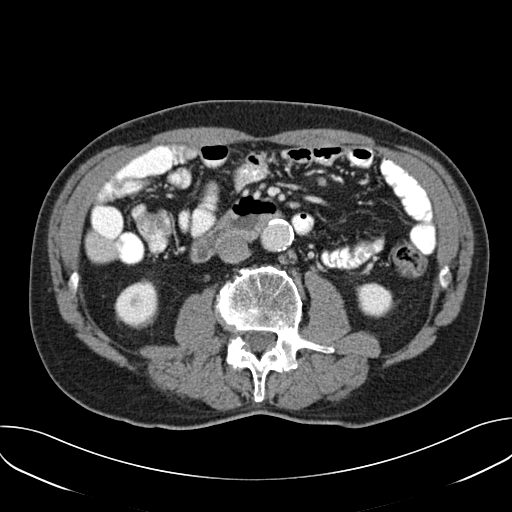
One axial slice (91 of 157, counting up from the lowest) of an arterial-phase abdominal CT acquired with 120 kVp, kernel B30f; each pixel is 0.742 mm and the slice is 3.00 mm thick.
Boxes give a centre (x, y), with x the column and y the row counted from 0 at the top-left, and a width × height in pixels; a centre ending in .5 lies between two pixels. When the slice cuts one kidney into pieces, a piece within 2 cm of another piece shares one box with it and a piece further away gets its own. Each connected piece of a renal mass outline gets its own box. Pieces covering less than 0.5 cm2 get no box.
Two boxes on this slice (two kidney boxes), listed by box centre from the image's left to its right. (1) Right kidney, box centre (136, 303.5), 45 × 50 pixels (outlined area 1,635 px, about 9.0 cm2). (2) Left kidney in a box with centre (374, 300), 37 × 37 pixels (outlined area 1,024 px, about 5.6 cm2). No renal mass outline on this slice.